Arterial-phase contrast-enhanced abdominal CT, axial slice 44 of 274 (counted from the lowest slice); tube voltage 120 kVp, convolution kernel B30f; slices 2.00 mm thick, 0.809 mm per pixel.
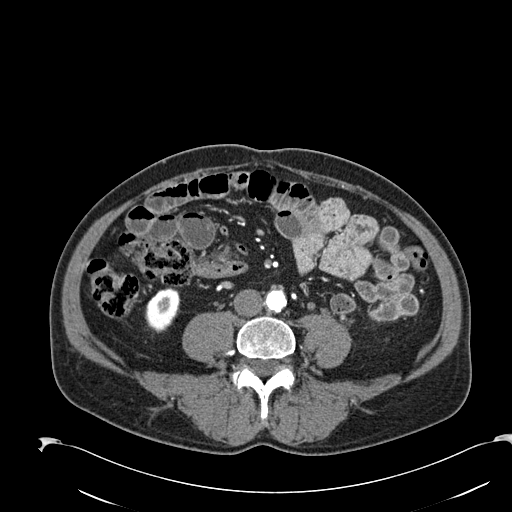
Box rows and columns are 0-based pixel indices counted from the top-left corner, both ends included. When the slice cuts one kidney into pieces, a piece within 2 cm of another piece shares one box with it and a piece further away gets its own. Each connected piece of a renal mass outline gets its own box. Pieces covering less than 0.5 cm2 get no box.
Right kidney at rows 290–332, columns 145–180 (outlined area 1,104 px, about 7.2 cm2). This slice carries no renal mass outline.